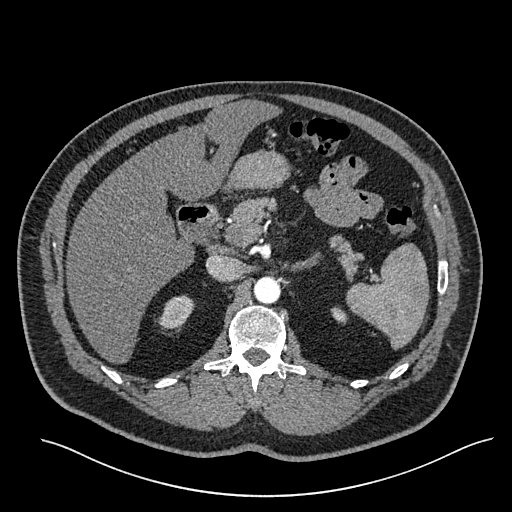
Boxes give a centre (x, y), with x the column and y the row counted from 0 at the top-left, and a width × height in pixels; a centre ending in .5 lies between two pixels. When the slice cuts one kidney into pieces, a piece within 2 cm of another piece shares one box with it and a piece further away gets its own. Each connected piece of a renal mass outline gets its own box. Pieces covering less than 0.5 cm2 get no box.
Slice 401/527 of a contrast-enhanced abdominal CT in the arterial phase, counting up from the lowest; pixel size 0.859 mm, slice thickness 1.00 mm. Boxed on this slice (two kidney boxes), listed by box centre from the image's left to its right: (1) Right kidney, box centre (176.5, 311.5), 38 × 34 pixels (outlined area 870 px, about 6.4 cm2). (2) Left kidney, box centre (338.5, 315), 18 × 19 pixels (outlined area 210 px, about 1.6 cm2). This slice carries no renal mass outline.
Scan settings: 120 kVp, I30f reconstruction kernel.